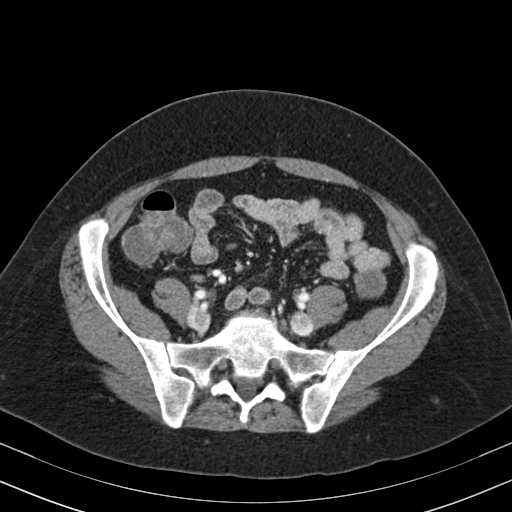
Arterial-phase contrast-enhanced abdominal CT, axial slice 67 of 164 (counted from the lowest slice); tube voltage 130 kVp, convolution kernel B30s; slices 3.00 mm thick, 0.664 mm per pixel.
No kidney and no renal mass is outlined on this slice; the outlines in this scan cover only the kidneys and the renal masses, so nothing is said about any other organ.